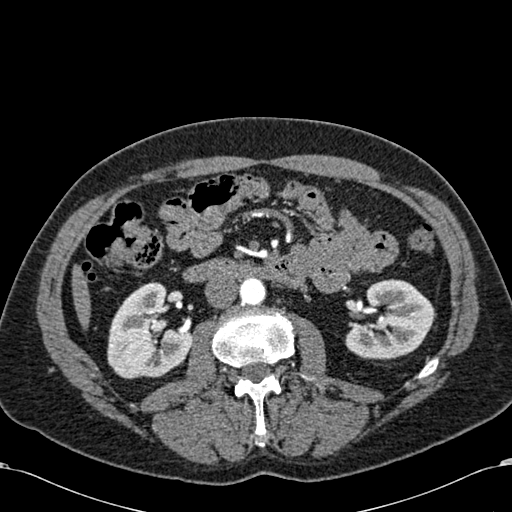
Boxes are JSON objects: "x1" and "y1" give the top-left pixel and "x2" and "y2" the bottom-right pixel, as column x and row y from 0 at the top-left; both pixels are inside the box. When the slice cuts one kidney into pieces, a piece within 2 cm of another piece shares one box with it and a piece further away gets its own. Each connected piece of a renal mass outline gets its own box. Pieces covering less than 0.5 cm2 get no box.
Slice 322/581 of a contrast-enhanced abdominal CT in the arterial phase, counting up from the lowest; pixel size 0.713 mm, slice thickness 1.00 mm. Two boxes on this slice (two kidney boxes), listed by box centre from the image's left to its right. (1) Box {"x1": 107, "y1": 282, "x2": 191, "y2": 378}: right kidney (outlined area 5,799 px, about 29.5 cm2). (2) Left kidney at {"x1": 345, "y1": 279, "x2": 433, "y2": 359} (outlined area 5,131 px, about 26.1 cm2). No renal mass is outlined on this slice.
Scan settings: 120 kVp, B30f reconstruction kernel.